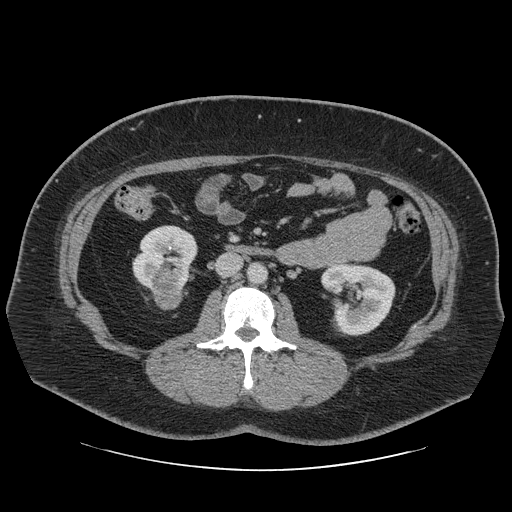
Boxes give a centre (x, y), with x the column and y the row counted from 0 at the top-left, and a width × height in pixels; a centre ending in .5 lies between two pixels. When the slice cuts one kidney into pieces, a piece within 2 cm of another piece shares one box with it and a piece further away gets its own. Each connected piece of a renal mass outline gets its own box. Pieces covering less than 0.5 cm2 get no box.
Slice 25/69 of a contrast-enhanced abdominal CT in the arterial phase, counting up from the lowest; pixel size 0.846 mm, slice thickness 2.50 mm. Three boxes on this slice (two kidney boxes and one renal mass box), listed by box centre from the image's left to its right. (1) Right kidney in a box with centre (164.5, 258), 66 × 67 pixels (outlined area 3,134 px, about 22.4 cm2). (2) Right renal mass, box centre (167, 295.5), 33 × 30 pixels (outlined area 760 px, about 5.4 cm2). (3) Left kidney in a box with centre (358, 299.5), 75 × 74 pixels (outlined area 4,030 px, about 28.8 cm2).
Tube voltage 120 kVp; convolution kernel STANDARD.